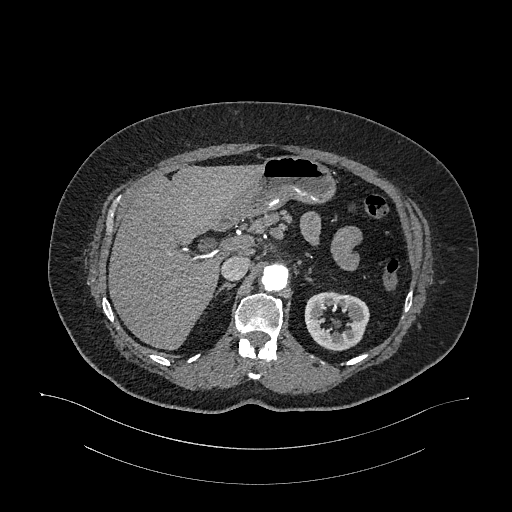
Arterial-phase contrast-enhanced abdominal CT, axial slice 745 of 987 (counted from the lowest slice); tube voltage 120 kVp, convolution kernel I26f; slices 1.00 mm thick, 0.977 mm per pixel.
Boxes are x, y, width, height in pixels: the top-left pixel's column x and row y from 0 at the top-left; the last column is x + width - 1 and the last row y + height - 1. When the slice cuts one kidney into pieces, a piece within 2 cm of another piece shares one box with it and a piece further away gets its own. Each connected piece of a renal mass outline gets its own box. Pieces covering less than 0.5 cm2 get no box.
Left kidney at x 304, y 291, width 66, height 61 (outlined area 2,771 px, about 26.4 cm2). No renal mass outline on this slice.